One axial slice (529 of 673, counting up from the lowest) of an arterial-phase abdominal CT acquired with 140 kVp, kernel I30f; each pixel is 0.957 mm and the slice is 1.00 mm thick.
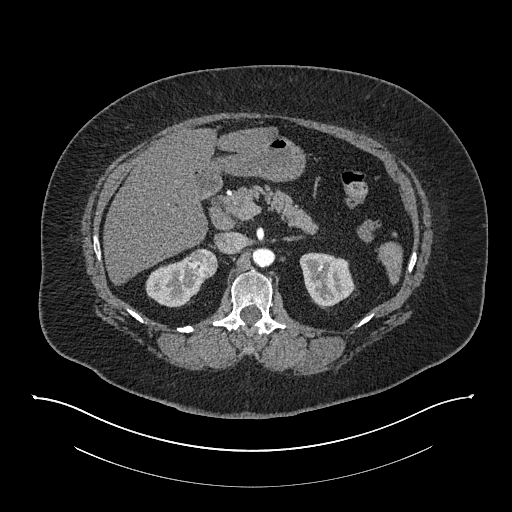
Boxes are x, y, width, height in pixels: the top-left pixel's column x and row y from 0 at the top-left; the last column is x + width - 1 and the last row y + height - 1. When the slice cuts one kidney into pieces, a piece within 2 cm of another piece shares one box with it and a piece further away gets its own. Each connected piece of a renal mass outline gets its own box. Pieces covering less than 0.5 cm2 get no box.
Three boxes on this slice (two kidney boxes and one renal mass box), listed by box centre from the image's left to its right. (1) Right kidney at x 145, y 255, width 61, height 53 (outlined area 1,933 px, about 17.7 cm2). (2) Right renal mass at x 187, y 248, width 31, height 31 (outlined area 747 px, about 6.8 cm2). (3) Box x 299, y 252, width 57, height 57: left kidney (outlined area 2,302 px, about 21.1 cm2).